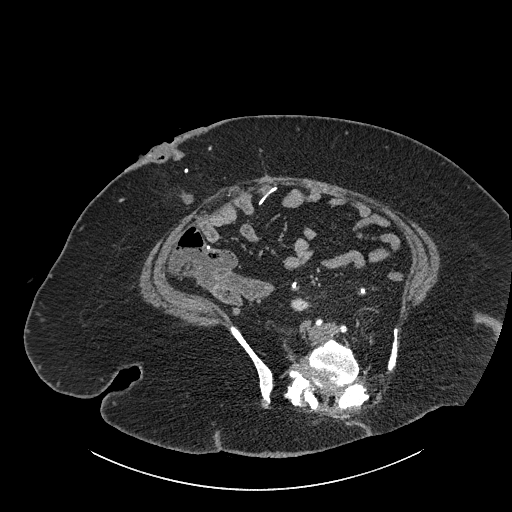
Abdominal CT with intravenous contrast, axial plane, 140 kVp, kernel I30f. Slice 379/834 from the bottom of the scan; thickness 1.00 mm; pixel size 0.977 mm.
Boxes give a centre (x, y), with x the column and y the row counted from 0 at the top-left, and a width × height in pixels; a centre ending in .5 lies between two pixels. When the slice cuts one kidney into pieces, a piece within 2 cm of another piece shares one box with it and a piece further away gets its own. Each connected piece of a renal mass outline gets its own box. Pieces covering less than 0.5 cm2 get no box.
Box centre (300.5, 304), 22 × 15 pixels: right part of the midline-crossing kidney (outlined area 225 px, about 2.1 cm2). This slice carries no renal mass outline.